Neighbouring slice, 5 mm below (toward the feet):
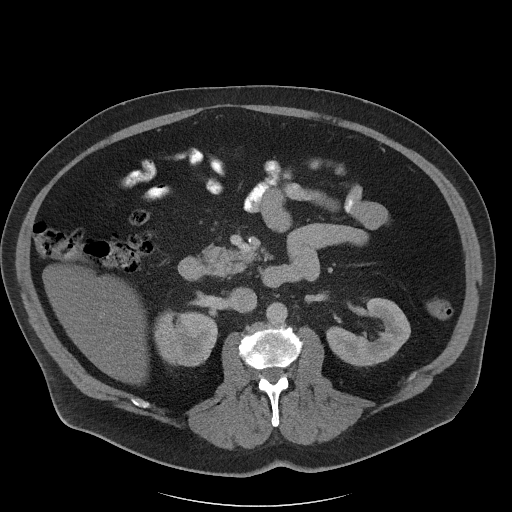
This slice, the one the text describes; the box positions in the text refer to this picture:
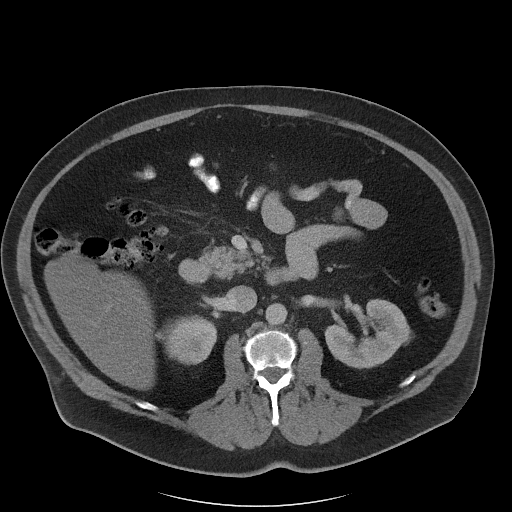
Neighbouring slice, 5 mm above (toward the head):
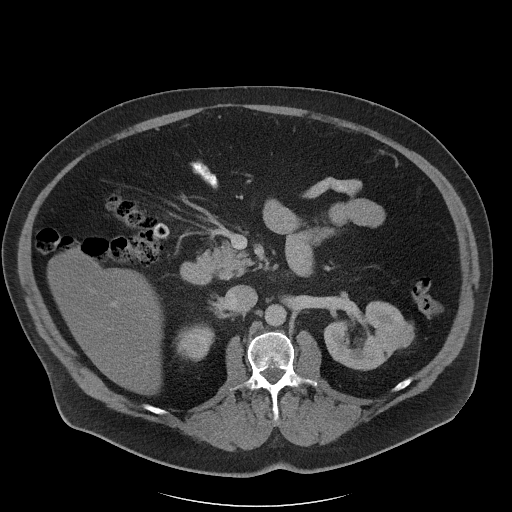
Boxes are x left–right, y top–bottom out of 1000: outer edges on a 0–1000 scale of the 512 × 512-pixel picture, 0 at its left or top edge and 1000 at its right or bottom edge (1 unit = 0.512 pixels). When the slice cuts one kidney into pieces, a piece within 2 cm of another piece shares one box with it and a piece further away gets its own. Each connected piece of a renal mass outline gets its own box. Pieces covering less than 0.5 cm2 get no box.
Contrast-enhanced abdominal CT, axial slice 63 of 102 (counted from the lowest slice); 5.00 mm thick, 0.977 mm per pixel. Boxed on this slice (two kidney boxes and one renal mass box), listed by box centre from the image's left to its right: (1) Box x 301–424, y 613–713 out of 1000: right kidney (outlined area 2,176 px, about 20.8 cm2). (2) Left kidney at x 635–801, y 584–721 out of 1000 (outlined area 3,753 px, about 35.8 cm2). (3) Left renal mass at x 785–805, y 645–674 out of 1000 (outlined area 63 px, about 0.6 cm2). This slice lies near the end of the left renal mass toward the feet; the slices 5 mm below and 5 mm above it are shown too, and the boxes mark positions on this slice only.
Scan settings: 120 kVp, I40f reconstruction kernel.